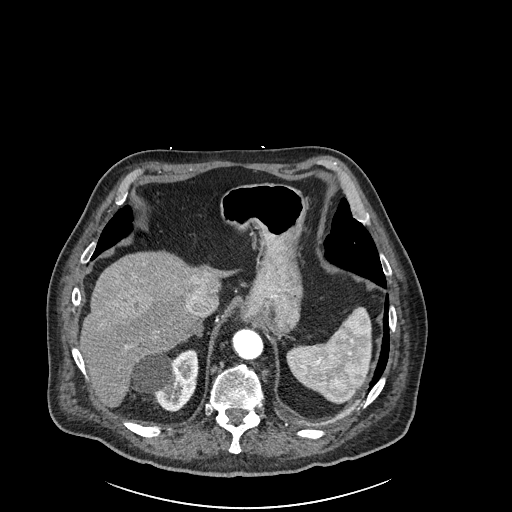
Abdominal CT with intravenous contrast, arterial phase, axial plane, 120 kVp, kernel I30f. Slice 198/261 from the bottom of the scan; thickness 2.00 mm; pixel size 0.939 mm.
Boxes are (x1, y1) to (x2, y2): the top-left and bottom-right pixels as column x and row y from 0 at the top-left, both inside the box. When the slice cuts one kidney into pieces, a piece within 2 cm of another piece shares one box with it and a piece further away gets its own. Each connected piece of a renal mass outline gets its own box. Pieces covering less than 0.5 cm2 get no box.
Box (130, 349) to (197, 410): right kidney (outlined area 2,944 px, about 26.0 cm2). This slice carries no renal mass outline.